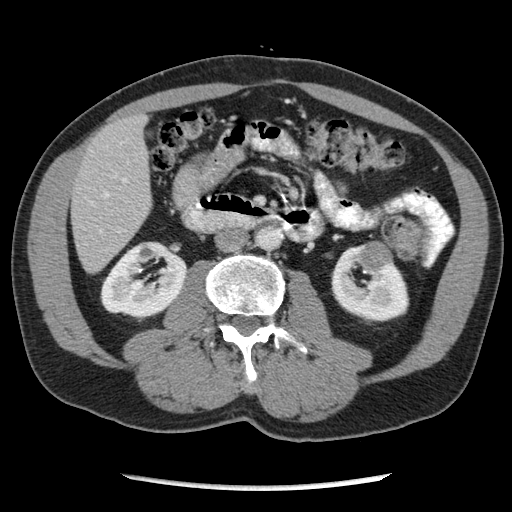
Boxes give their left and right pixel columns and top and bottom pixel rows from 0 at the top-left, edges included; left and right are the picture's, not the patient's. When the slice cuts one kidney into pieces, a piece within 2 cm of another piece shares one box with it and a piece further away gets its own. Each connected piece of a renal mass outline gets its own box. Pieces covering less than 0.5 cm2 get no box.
Arterial-phase contrast-enhanced abdominal CT, axial slice 111 of 262 (counted from the lowest slice); 2.50 mm thick, 0.703 mm per pixel. Boxed on this slice (two kidney boxes and one renal mass box), listed by box centre from the image's left to its right: (1) Right kidney in the box with left 100, top 241, right 186, bottom 318 (outlined area 4,796 px, about 23.7 cm2). (2) Left kidney in the box with left 331, top 243, right 409, bottom 322 (outlined area 4,042 px, about 20.0 cm2). (3) Left renal mass, the box with left 362, top 240, right 393, bottom 272 (outlined area 733 px, about 3.6 cm2).
Scan settings: 120 kVp, STANDARD reconstruction kernel.